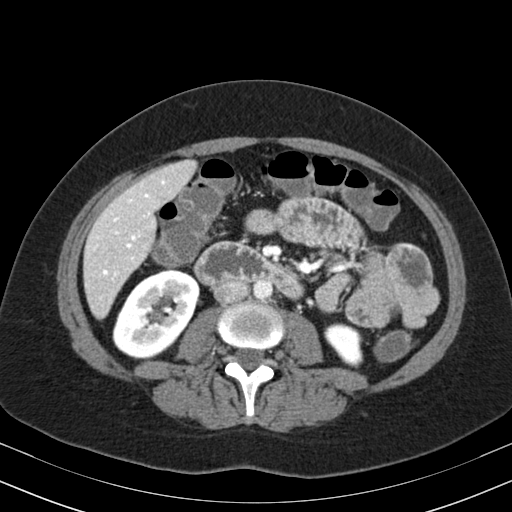
Axial slice 100 of 164 of a contrast-enhanced abdominal CT in the arterial phase (slice 1 is the lowest), 130 kVp, kernel B30s; 3.00 mm slice thickness and 0.664 mm pixels.
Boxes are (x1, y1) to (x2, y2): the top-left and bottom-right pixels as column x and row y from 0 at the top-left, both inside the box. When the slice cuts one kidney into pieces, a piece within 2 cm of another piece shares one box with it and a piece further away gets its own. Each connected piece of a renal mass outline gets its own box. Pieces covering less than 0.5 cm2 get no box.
Boxed on this slice (two kidney boxes), listed by box centre from the image's left to its right: (1) Box (112, 269) to (199, 359): right kidney (outlined area 5,516 px, about 24.3 cm2). (2) Left kidney from (324, 323) to (363, 368) (outlined area 1,222 px, about 5.4 cm2). No renal mass is outlined on this slice.